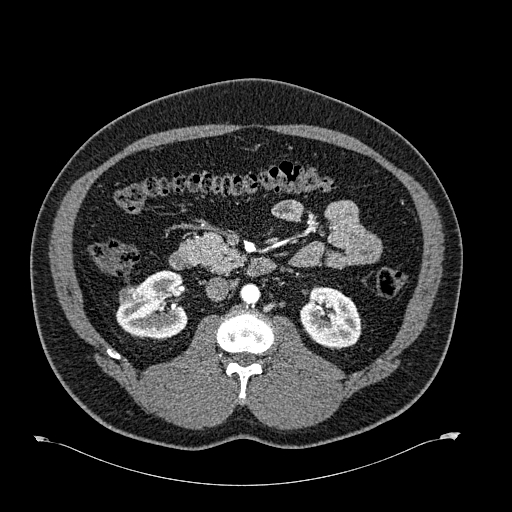
Arterial-phase contrast-enhanced abdominal CT, axial slice 348 of 723 (counted from the lowest slice); tube voltage 120 kVp, convolution kernel B30f; slices 1.00 mm thick, 0.895 mm per pixel.
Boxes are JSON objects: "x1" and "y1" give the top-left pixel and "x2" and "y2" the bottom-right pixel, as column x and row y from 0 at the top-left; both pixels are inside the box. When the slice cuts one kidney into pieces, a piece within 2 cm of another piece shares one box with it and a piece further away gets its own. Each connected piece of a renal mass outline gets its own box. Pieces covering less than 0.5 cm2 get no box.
Boxed on this slice (two kidney boxes and one renal mass box), listed by box centre from the image's left to its right: (1) Box {"x1": 119, "y1": 285, "x2": 138, "y2": 304}: right renal mass (outlined area 314 px, about 2.5 cm2). (2) Box {"x1": 115, "y1": 270, "x2": 188, "y2": 340}: right kidney (outlined area 3,524 px, about 28.2 cm2). (3) Left kidney, box {"x1": 300, "y1": 286, "x2": 360, "y2": 348} (outlined area 2,930 px, about 23.4 cm2).